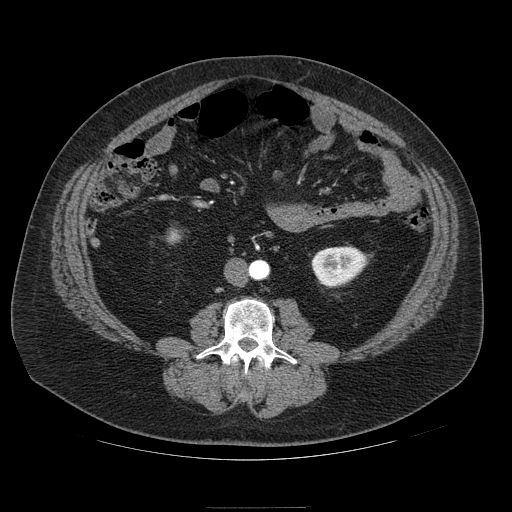
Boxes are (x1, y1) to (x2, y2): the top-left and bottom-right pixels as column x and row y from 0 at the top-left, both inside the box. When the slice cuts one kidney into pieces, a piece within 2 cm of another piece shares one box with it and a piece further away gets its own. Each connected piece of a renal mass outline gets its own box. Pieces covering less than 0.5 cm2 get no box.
Arterial-phase contrast-enhanced abdominal CT, axial slice 26 of 121 (counted from the lowest slice); 2.50 mm thick, 0.861 mm per pixel. Two kidney boxes on this slice; by box centre, from the image's left to its right: (1) Box (167, 229) to (180, 242): right kidney (outlined area 146 px, about 1.1 cm2). (2) Left kidney, box (311, 246) to (368, 287) (outlined area 1,750 px, about 13.0 cm2). No renal mass is outlined on this slice.
Tube voltage 120 kVp; convolution kernel STANDARD.